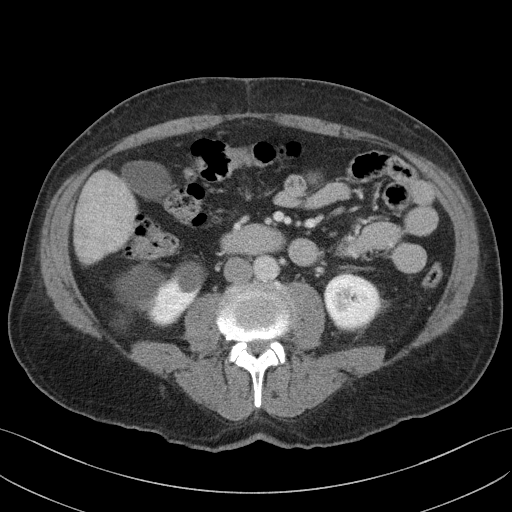
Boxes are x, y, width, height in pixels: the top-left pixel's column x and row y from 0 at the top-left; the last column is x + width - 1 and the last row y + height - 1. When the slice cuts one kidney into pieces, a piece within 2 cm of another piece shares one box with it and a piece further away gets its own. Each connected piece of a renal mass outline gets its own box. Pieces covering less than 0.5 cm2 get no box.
Contrast-enhanced abdominal CT, axial slice 58 of 103 (counted from the lowest slice); 4.00 mm thick, 0.742 mm per pixel. Boxed on this slice (two kidney boxes), listed by box centre from the image's left to its right: (1) Box x 115, y 261, width 92, height 66: right kidney (outlined area 3,840 px, about 21.2 cm2). (2) Left kidney at x 323, y 273, width 58, height 57 (outlined area 2,563 px, about 14.1 cm2). This slice carries no renal mass outline.
Acquired at 100 kVp and reconstructed with the I41f kernel.